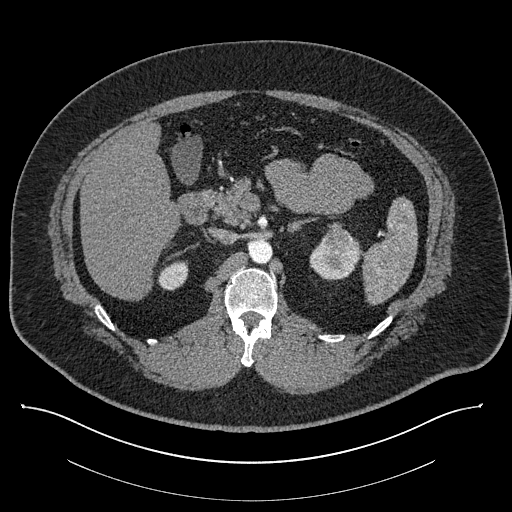
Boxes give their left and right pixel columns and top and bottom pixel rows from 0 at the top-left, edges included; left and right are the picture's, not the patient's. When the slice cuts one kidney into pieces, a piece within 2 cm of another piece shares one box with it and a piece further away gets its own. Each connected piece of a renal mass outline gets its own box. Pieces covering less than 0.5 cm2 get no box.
This is axial slice 546 of 787 (slice 1 is the lowest) of an abdominal CT with contrast; each pixel is 0.910 mm and the slice is 1.00 mm thick. Boxed on this slice (two kidney boxes and one renal mass box), listed by box centre from the image's left to its right: (1) Right kidney in the box with left 158, top 260, right 188, bottom 290 (outlined area 707 px, about 5.9 cm2). (2) Left kidney, the box with left 309, top 237, right 359, bottom 279 (outlined area 1,397 px, about 11.6 cm2). (3) Left renal mass in the box with left 322, top 226, right 351, bottom 252 (outlined area 590 px, about 4.9 cm2).
Scan settings: 140 kVp, I30f reconstruction kernel.